Contrast-enhanced abdominal CT, axial slice 7 of 75 (counted from the lowest slice); tube voltage 140 kVp, convolution kernel B30f; slices 3.00 mm thick, 0.875 mm per pixel.
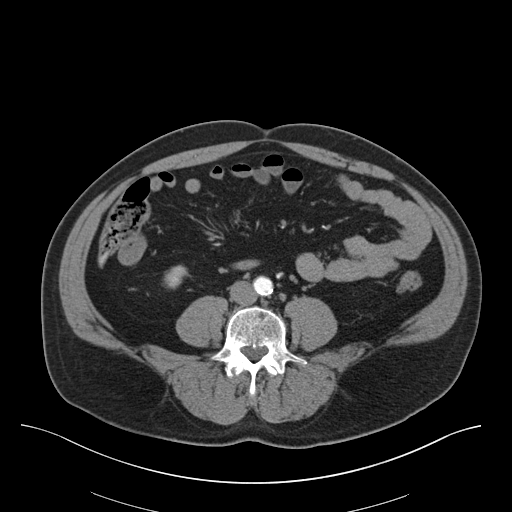
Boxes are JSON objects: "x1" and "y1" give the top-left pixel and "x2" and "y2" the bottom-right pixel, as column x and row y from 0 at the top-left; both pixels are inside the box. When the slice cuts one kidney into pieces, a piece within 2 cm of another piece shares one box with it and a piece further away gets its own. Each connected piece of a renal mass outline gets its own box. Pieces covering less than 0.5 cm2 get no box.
Box {"x1": 164, "y1": 265, "x2": 188, "y2": 288}: right kidney (outlined area 401 px, about 3.1 cm2). No renal mass outline on this slice.